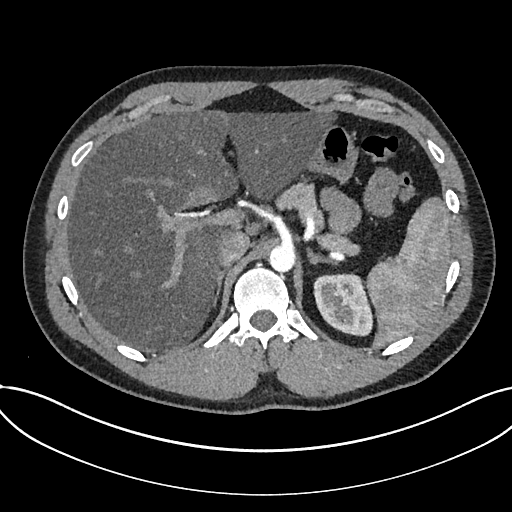
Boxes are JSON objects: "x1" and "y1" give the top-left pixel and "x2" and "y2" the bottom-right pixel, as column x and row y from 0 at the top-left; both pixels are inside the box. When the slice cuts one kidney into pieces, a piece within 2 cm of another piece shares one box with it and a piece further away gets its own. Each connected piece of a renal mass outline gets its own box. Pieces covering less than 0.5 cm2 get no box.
Slice 552/735 of a contrast-enhanced abdominal CT in the arterial phase, counting up from the lowest; pixel size 0.789 mm, slice thickness 1.00 mm. Kidney at {"x1": 313, "y1": 273, "x2": 373, "y2": 336} (outlined area 2,925 px, about 18.2 cm2). This slice carries no renal mass outline.
Tube voltage 120 kVp; convolution kernel I30f.